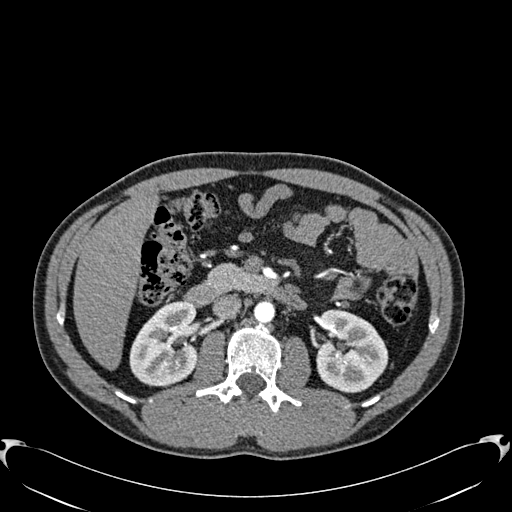
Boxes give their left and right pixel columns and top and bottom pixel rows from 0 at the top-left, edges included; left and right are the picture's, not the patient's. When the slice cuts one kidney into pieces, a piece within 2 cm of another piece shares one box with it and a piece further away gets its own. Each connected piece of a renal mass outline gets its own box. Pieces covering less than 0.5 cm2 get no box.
This is axial slice 351 of 512 (slice 1 is the lowest) of an arterial-phase abdominal CT with contrast; each pixel is 0.771 mm and the slice is 1.00 mm thick. Two boxes on this slice (two kidney boxes), listed by box centre from the image's left to its right. (1) Right kidney, the box with left 129, top 301, right 198, bottom 386 (outlined area 4,541 px, about 27.0 cm2). (2) Left kidney in the box with left 315, top 309, right 388, bottom 393 (outlined area 4,649 px, about 27.7 cm2). No renal mass outline on this slice.
Tube voltage 120 kVp; convolution kernel B30f.